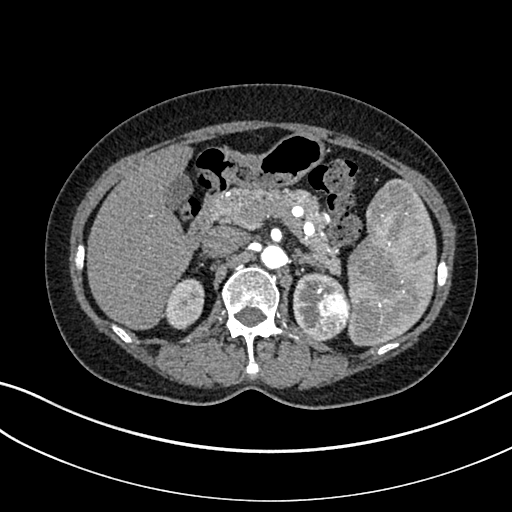
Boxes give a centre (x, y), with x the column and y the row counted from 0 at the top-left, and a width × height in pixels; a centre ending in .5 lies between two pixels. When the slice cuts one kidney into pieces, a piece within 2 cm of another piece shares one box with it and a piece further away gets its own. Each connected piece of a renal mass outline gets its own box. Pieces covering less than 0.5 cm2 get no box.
This is axial slice 218 of 325 (slice 1 is the lowest) of an arterial-phase abdominal CT with contrast; each pixel is 0.703 mm and the slice is 1.00 mm thick. Boxed on this slice (two kidney boxes and one renal mass box), listed by box centre from the image's left to its right: (1) Right kidney, box centre (184, 304), 41 × 53 pixels (outlined area 1,594 px, about 7.9 cm2). (2) Left kidney, box centre (319.5, 306.5), 54 × 70 pixels (outlined area 1,873 px, about 9.3 cm2). (3) Box centre (333, 310), 37 × 45 pixels: left renal mass (outlined area 1,271 px, about 6.3 cm2).
Acquired at 100 kVp and reconstructed with the I30f kernel.